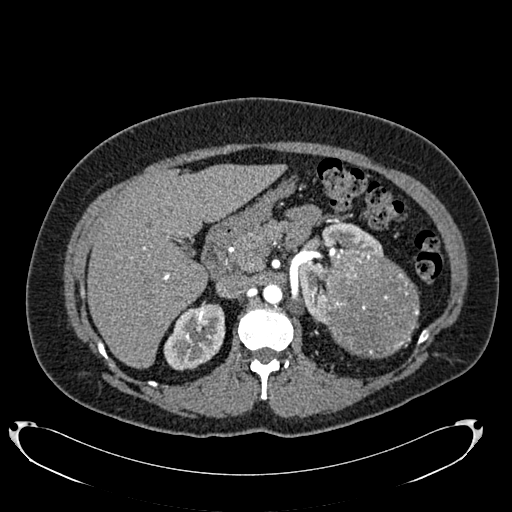
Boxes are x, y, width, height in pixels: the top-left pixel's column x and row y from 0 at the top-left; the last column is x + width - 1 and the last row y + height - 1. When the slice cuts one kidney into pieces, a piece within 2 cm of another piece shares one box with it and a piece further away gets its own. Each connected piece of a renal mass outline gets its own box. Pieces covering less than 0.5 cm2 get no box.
Arterial-phase contrast-enhanced abdominal CT, axial slice 482 of 634 (counted from the lowest slice); 1.00 mm thick, 0.838 mm per pixel. Boxed on this slice (two kidney boxes and one renal mass box), listed by box centre from the image's left to its right: (1) Right kidney at x 163, y 303, width 63, height 68 (outlined area 3,046 px, about 21.4 cm2). (2) Box x 296, y 222, width 88, height 103: left kidney (outlined area 3,633 px, about 25.5 cm2). (3) Box x 326, y 254, width 94, height 105: left renal mass (outlined area 7,873 px, about 55.3 cm2).
Acquired at 120 kVp and reconstructed with the B20f kernel.